Arterial-phase contrast-enhanced abdominal CT, axial slice 295 of 1059 (counted from the lowest slice); tube voltage 100 kVp, convolution kernel I30f; slices 1.00 mm thick, 0.811 mm per pixel.
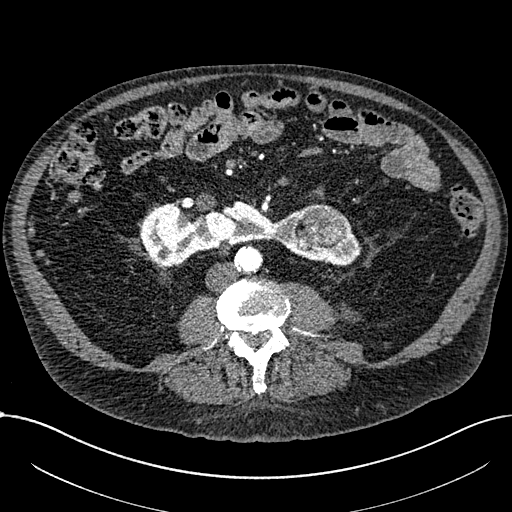
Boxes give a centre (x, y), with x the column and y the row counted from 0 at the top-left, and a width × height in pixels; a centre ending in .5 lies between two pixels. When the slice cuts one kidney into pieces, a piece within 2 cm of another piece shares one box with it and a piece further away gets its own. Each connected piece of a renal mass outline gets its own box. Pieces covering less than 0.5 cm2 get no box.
Boxed on this slice (one kidney box and one renal mass box), listed by box centre from the image's left to its right: (1) Kidney crossing the body midline in a box with centre (250, 233.5), 223 × 68 pixels (outlined area 8,055 px, about 52.9 cm2). (2) Renal mass, box centre (321, 227.5), 53 × 48 pixels (outlined area 1,852 px, about 12.2 cm2).